Axial slice 556 of 738 of a contrast-enhanced abdominal CT in the arterial phase (slice 1 is the lowest), 120 kVp, kernel I30f; 1.00 mm slice thickness and 0.789 mm pixels.
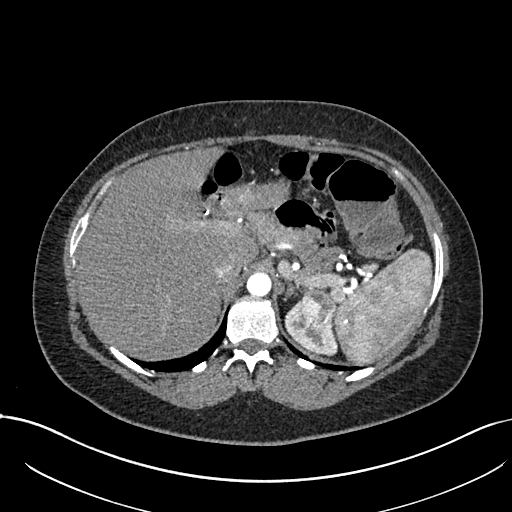
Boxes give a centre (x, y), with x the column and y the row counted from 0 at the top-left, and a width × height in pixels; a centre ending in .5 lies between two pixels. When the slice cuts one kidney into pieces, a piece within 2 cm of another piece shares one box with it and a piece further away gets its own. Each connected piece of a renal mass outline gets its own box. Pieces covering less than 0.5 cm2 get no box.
Boxed on this slice (one kidney box and one renal mass box), listed by box centre from the image's left to its right: (1) Box centre (310.5, 328), 54 × 55 pixels: left kidney (outlined area 1,302 px, about 8.1 cm2). (2) Left renal mass, box centre (317, 310.5), 35 × 44 pixels (outlined area 1,221 px, about 7.6 cm2).